Axial slice 281 of 548 of a contrast-enhanced abdominal CT in the arterial phase (slice 1 is the lowest), 120 kVp, kernel I26f; 1.00 mm slice thickness and 0.852 mm pixels.
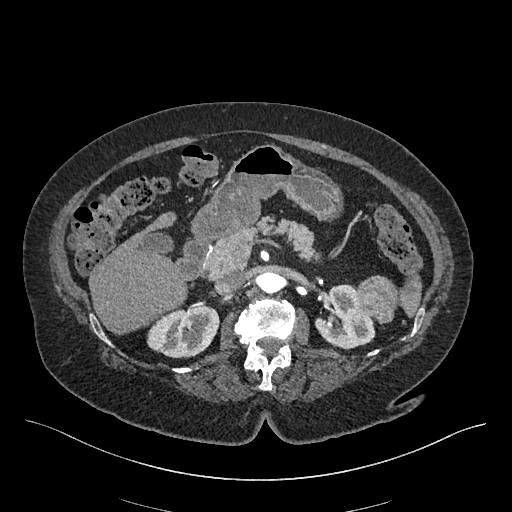
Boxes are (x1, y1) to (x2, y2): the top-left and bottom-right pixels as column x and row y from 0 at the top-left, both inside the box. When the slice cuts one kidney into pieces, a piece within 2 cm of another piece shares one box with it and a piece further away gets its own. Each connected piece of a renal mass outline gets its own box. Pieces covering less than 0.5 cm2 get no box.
Three boxes on this slice (two kidney boxes and one renal mass box), listed by box centre from the image's left to its right. (1) Right kidney from (147, 304) to (219, 358) (outlined area 2,918 px, about 21.2 cm2). (2) Box (314, 284) to (375, 348): left kidney (outlined area 2,617 px, about 19.0 cm2). (3) Left renal mass from (356, 275) to (397, 324) (outlined area 1,557 px, about 11.3 cm2).